Abdominal CT with intravenous contrast, arterial phase, axial plane, 100 kVp, kernel I26f. Slice 336/665 from the bottom of the scan; thickness 1.00 mm; pixel size 0.828 mm.
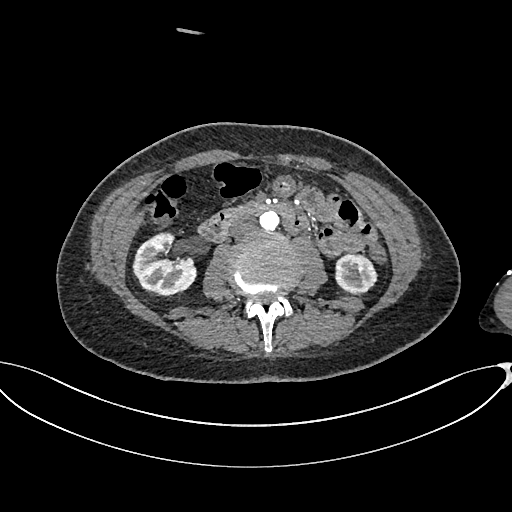
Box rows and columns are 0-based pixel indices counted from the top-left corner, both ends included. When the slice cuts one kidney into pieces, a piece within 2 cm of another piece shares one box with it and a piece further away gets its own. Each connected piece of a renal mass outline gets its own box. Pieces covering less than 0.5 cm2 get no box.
Boxed on this slice (two kidney boxes), listed by box centre from the image's left to its right: (1) Right kidney at rows 232–297, columns 132–196 (outlined area 3,039 px, about 20.8 cm2). (2) Box rows 254–293, columns 334–377: left kidney (outlined area 1,392 px, about 9.5 cm2). No renal mass outline on this slice.